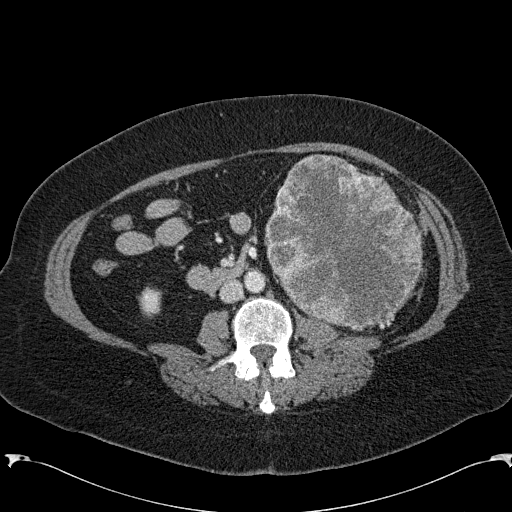
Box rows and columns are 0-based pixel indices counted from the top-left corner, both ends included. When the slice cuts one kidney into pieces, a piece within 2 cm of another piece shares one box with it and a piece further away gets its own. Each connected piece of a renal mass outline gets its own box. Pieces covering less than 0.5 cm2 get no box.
This is axial slice 91 of 285 (slice 1 is the lowest) of an arterial-phase abdominal CT with contrast; each pixel is 0.762 mm and the slice is 2.00 mm thick. Two boxes on this slice (one kidney box and one renal mass box), listed by box centre from the image's left to its right. (1) Right kidney, box rows 286–317, columns 138–161 (outlined area 568 px, about 3.3 cm2). (2) Left renal mass at rows 154–331, columns 264–423 (outlined area 20,907 px, about 121.3 cm2); on this slice it lies more than 1 cm from any kidney outline, but the same outlined renal mass comes within 1 cm of the kidney on another slice.
Scan settings: 120 kVp, B31f reconstruction kernel.